Axial slice 134 of 233 of a contrast-enhanced abdominal CT in the arterial phase (slice 1 is the lowest), 120 kVp, kernel STANDARD; 1.25 mm slice thickness and 0.703 mm pixels.
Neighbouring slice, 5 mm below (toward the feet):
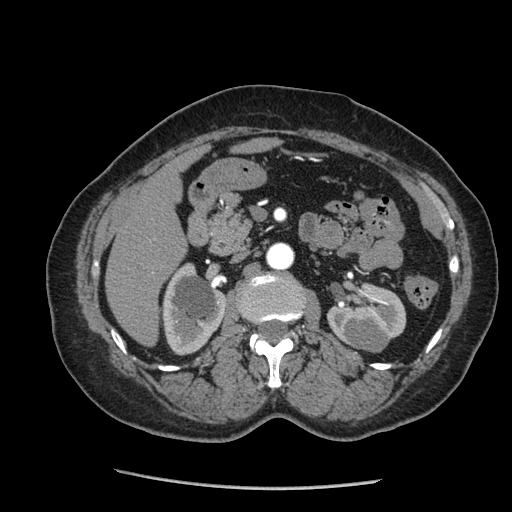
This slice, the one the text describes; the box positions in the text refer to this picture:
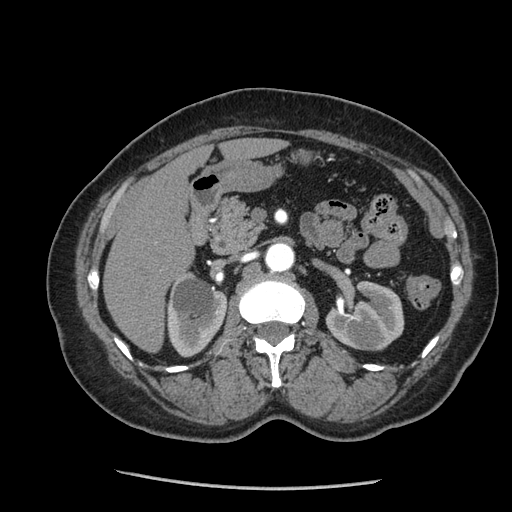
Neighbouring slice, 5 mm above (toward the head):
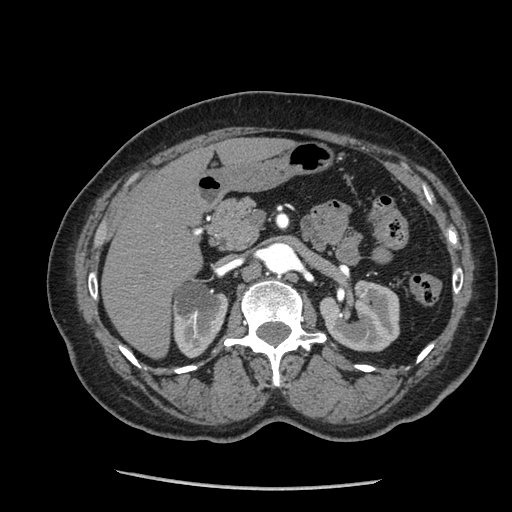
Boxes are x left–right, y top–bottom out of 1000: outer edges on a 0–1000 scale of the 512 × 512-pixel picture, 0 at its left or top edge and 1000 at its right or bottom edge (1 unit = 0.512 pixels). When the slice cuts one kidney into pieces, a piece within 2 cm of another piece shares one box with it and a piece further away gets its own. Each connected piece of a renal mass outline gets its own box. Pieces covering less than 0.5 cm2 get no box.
Two kidney boxes and one renal mass box on this slice; by box centre, from the image's left to its right: (1) Box x 324–445, y 531–699 out of 1000: right kidney (outlined area 3,809 px, about 18.8 cm2). (2) Left kidney at x 635–791, y 547–686 out of 1000 (outlined area 3,715 px, about 18.4 cm2). (3) Left renal mass at x 695–742, y 650–686 out of 1000 (outlined area 348 px, about 1.7 cm2). This slice lies near the end of the left renal mass toward the head; the slices 5 mm below and 5 mm above it are shown too, and the boxes mark positions on this slice only.